Axial slice 241 of 389 of a contrast-enhanced abdominal CT in the arterial phase (slice 1 is the lowest), 120 kVp, kernel STANDARD; 1.25 mm slice thickness and 0.869 mm pixels.
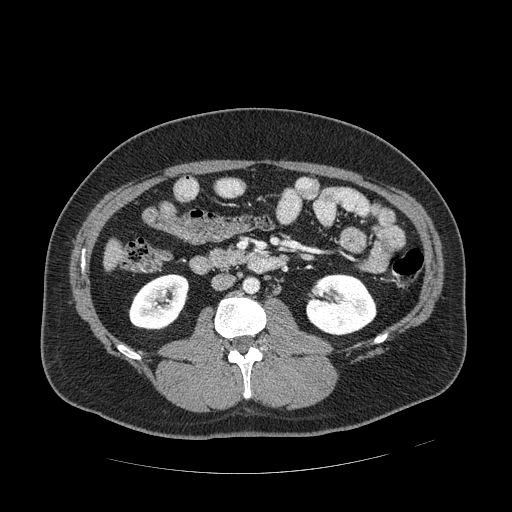
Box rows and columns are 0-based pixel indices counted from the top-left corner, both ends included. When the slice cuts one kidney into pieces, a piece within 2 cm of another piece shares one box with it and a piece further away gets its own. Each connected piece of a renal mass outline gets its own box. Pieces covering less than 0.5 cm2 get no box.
Two boxes on this slice (two kidney boxes), listed by box centre from the image's left to its right. (1) Right kidney at rows 274–330, columns 128–189 (outlined area 2,553 px, about 19.3 cm2). (2) Left kidney at rows 274–335, columns 306–376 (outlined area 3,340 px, about 25.2 cm2). This slice carries no renal mass outline.